Axial slice 65 of 90 of a contrast-enhanced abdominal CT (slice 1 is the lowest), 120 kVp, kernel B41f; 5.00 mm slice thickness and 0.781 mm pixels.
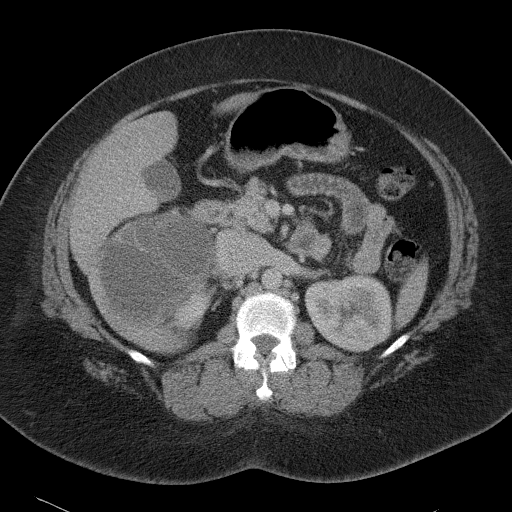
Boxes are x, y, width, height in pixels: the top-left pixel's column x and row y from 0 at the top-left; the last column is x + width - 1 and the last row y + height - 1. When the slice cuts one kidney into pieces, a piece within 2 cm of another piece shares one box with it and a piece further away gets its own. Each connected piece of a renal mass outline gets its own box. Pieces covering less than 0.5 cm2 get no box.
Two kidney boxes and one renal mass box on this slice; by box centre, from the image's left to its right: (1) Box x 99, y 212, width 116, height 104: right renal mass (outlined area 9,287 px, about 56.7 cm2). (2) Right kidney at x 172, y 282, width 42, height 50 (outlined area 997 px, about 6.1 cm2). (3) Left kidney, box x 304, y 273, width 90, height 80 (outlined area 5,450 px, about 33.3 cm2).